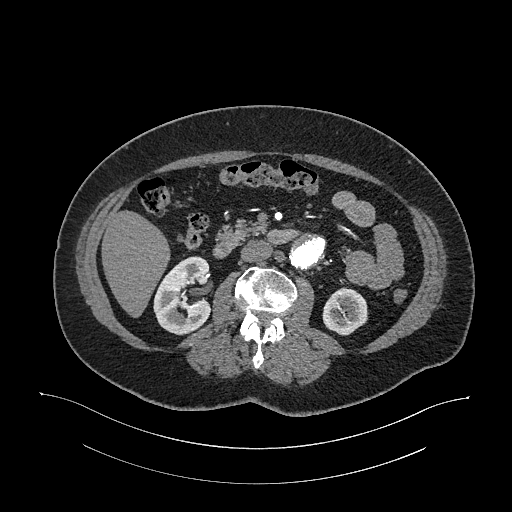
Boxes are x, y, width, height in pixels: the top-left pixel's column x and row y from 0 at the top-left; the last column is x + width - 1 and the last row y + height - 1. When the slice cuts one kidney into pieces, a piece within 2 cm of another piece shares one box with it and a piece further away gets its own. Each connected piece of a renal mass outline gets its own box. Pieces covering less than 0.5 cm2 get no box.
Arterial-phase contrast-enhanced abdominal CT, axial slice 613 of 987 (counted from the lowest slice); 1.00 mm thick, 0.977 mm per pixel. Boxed on this slice (two kidney boxes), listed by box centre from the image's left to its right: (1) Box x 153, y 256, width 58, height 80: right kidney (outlined area 3,436 px, about 32.8 cm2). (2) Left kidney at x 322, y 287, width 47, height 49 (outlined area 1,671 px, about 15.9 cm2). No renal mass outline on this slice.
Tube voltage 120 kVp; convolution kernel I26f.